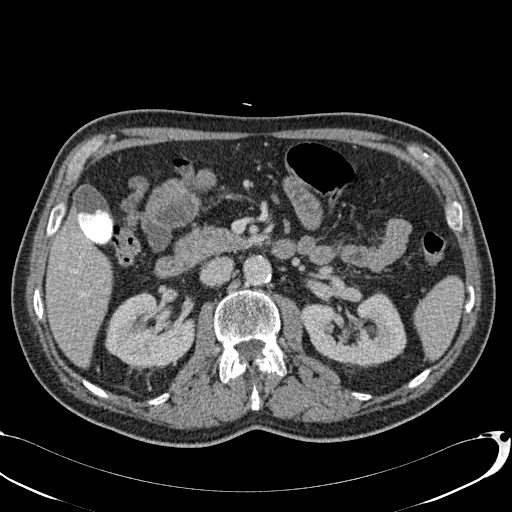
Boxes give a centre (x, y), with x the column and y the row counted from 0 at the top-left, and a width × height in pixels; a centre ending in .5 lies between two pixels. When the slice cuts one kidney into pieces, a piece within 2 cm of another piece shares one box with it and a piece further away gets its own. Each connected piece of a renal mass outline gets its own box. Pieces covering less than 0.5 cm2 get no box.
Slice 46/113 of a contrast-enhanced abdominal CT, counting up from the lowest; pixel size 0.742 mm, slice thickness 2.00 mm. Boxed on this slice (two kidney boxes), listed by box centre from the image's left to its right: (1) Right kidney in a box with centre (149, 329.5), 91 × 78 pixels (outlined area 4,946 px, about 27.2 cm2). (2) Box centre (353.5, 328.5), 106 × 78 pixels: left kidney (outlined area 5,752 px, about 31.7 cm2). No renal mass outline on this slice.
Acquired at 120 kVp and reconstructed with the B31f kernel.